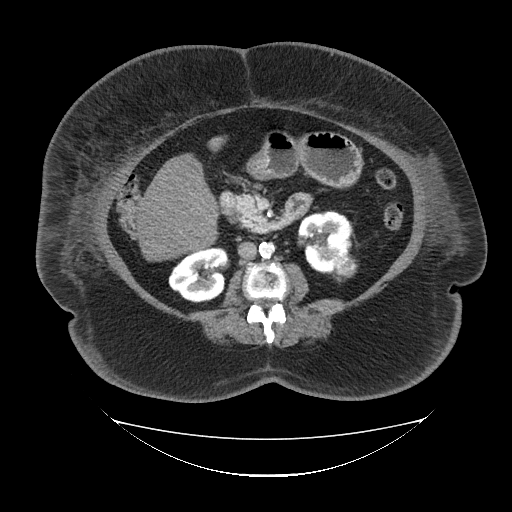
One axial slice (54 of 85, counting up from the lowest) of an arterial-phase abdominal CT acquired with 120 kVp, kernel FC19; each pixel is 1.041 mm and the slice is 5.00 mm thick.
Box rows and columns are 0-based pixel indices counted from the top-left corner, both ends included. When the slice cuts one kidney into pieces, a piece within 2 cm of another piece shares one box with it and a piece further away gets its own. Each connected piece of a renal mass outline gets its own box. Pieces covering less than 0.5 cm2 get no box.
Two kidney boxes and one renal mass box on this slice; by box centre, from the image's left to its right: (1) Right kidney at rows 248–302, columns 168–228 (outlined area 2,492 px, about 27.0 cm2). (2) Left kidney at rows 211–273, columns 297–352 (outlined area 2,579 px, about 27.9 cm2). (3) Box rows 254–281, columns 332–357: left renal mass (outlined area 524 px, about 5.7 cm2).